One axial slice (224 of 602, counting up from the lowest) of an arterial-phase abdominal CT acquired with 120 kVp, kernel I30f; each pixel is 0.799 mm and the slice is 1.00 mm thick.
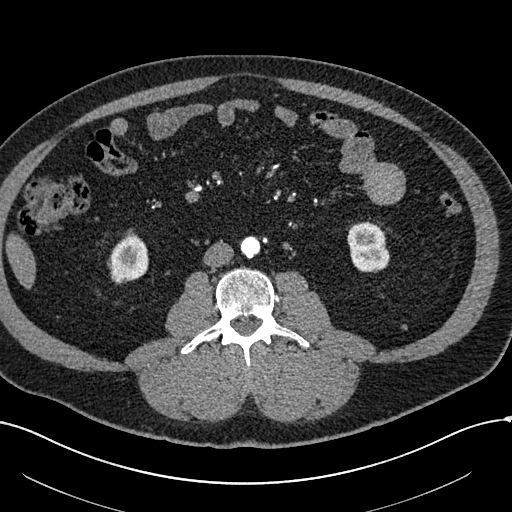
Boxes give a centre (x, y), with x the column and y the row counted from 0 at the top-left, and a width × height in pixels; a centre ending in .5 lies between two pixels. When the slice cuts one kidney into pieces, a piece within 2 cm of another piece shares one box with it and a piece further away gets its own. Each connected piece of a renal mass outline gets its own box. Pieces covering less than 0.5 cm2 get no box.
Boxed on this slice (two kidney boxes), listed by box centre from the image's left to its right: (1) Right kidney, box centre (129, 258.5), 39 × 52 pixels (outlined area 1,503 px, about 9.6 cm2). (2) Left kidney in a box with centre (368, 246.5), 43 × 52 pixels (outlined area 1,726 px, about 11.0 cm2).